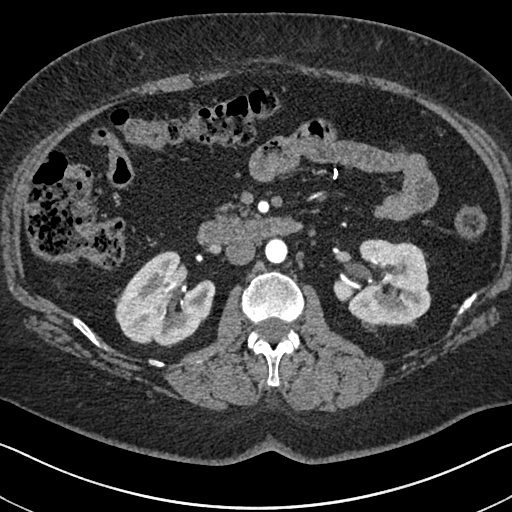
One axial slice (395 of 591, counting up from the lowest) of an arterial-phase abdominal CT acquired with 140 kVp, kernel I30f; each pixel is 0.703 mm and the slice is 1.00 mm thick.
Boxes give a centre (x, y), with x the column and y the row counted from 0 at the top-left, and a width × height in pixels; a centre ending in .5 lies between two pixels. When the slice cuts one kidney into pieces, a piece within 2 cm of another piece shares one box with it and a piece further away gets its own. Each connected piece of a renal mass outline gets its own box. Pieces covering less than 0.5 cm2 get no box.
Boxed on this slice (two kidney boxes), listed by box centre from the image's left to its right: (1) Right kidney in a box with centre (164.5, 299), 102 × 97 pixels (outlined area 6,479 px, about 32.0 cm2). (2) Left kidney in a box with centre (382, 282.5), 99 × 88 pixels (outlined area 6,132 px, about 30.3 cm2). No renal mass is outlined on this slice.